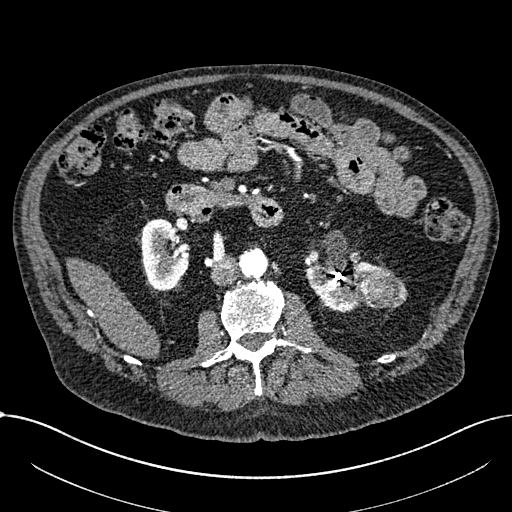
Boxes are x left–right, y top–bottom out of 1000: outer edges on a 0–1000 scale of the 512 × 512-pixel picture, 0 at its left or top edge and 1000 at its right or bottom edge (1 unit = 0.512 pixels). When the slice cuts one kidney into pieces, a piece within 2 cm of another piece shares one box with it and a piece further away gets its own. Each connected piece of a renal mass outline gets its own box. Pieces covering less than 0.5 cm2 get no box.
This is axial slice 378 of 1059 (slice 1 is the lowest) of an arterial-phase abdominal CT with contrast; each pixel is 0.811 mm and the slice is 1.00 mm thick. Three boxes on this slice (two kidney boxes and one renal mass box), listed by box centre from the image's left to its right. (1) Right part of the midline-crossing kidney at x 275–371, y 428–570 out of 1000 (outlined area 2,721 px, about 17.9 cm2). (2) Left part of the midline-crossing kidney at x 596–768, y 508–609 out of 1000 (outlined area 2,385 px, about 15.7 cm2). (3) Box x 703–797, y 529–604 out of 1000: renal mass (outlined area 1,400 px, about 9.2 cm2).
Acquired at 100 kVp and reconstructed with the I30f kernel.